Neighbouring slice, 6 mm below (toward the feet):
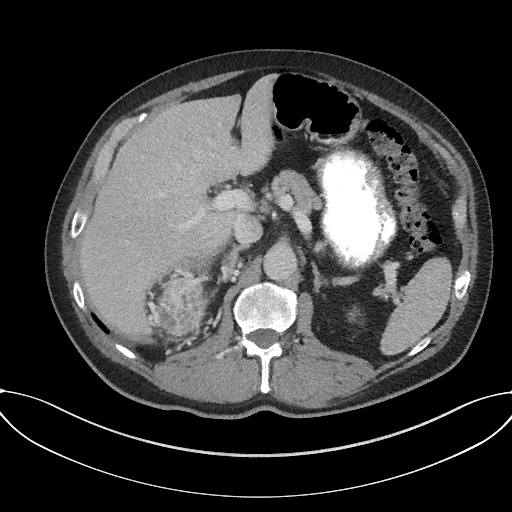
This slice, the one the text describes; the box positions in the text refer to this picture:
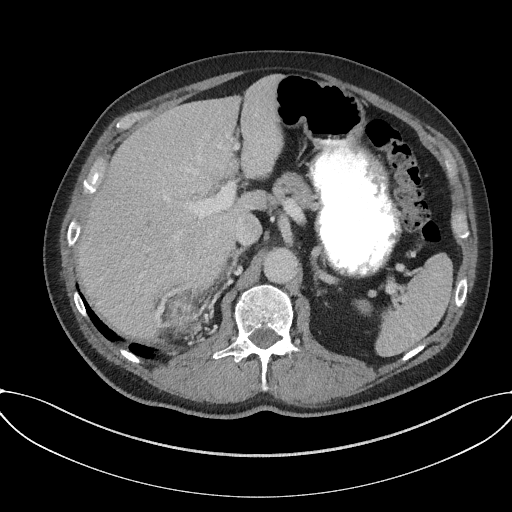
Axial slice 111 of 227 of a contrast-enhanced abdominal CT in the arterial phase (slice 1 is the lowest), 120 kVp, kernel I31f; 3.00 mm slice thickness and 0.816 mm pixels.
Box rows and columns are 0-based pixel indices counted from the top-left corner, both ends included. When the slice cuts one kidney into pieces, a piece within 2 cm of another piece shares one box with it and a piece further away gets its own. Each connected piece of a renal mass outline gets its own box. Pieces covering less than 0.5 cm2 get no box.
Box rows 293–320, columns 172–194: right renal mass (outlined area 507 px, about 3.4 cm2); this slice has no kidney outline, though on another slice the same outlined renal mass lies within 1 cm of the kidney. This slice lies near the end of the right renal mass toward the head; the slice 6 mm below it is shown too, and the boxes mark positions on this slice only.